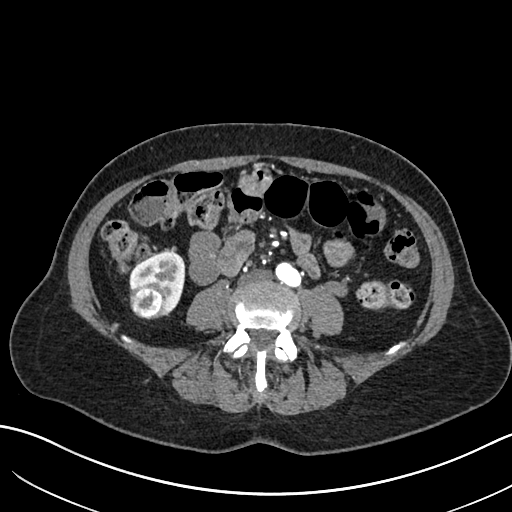
Axial slice 270 of 683 of a contrast-enhanced abdominal CT in the arterial phase (slice 1 is the lowest), 120 kVp, kernel I30f; 1.00 mm slice thickness and 0.738 mm pixels.
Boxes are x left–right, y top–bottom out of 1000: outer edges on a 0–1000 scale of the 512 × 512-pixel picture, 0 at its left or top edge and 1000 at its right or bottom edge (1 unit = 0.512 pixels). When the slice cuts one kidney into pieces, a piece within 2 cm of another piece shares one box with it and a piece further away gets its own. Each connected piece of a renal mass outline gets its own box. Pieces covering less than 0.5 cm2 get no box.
One kidney box and one renal mass box on this slice; by box centre, from the image's left to its right: (1) Box x 252–324, y 551–625 out of 1000: right renal mass (outlined area 1,118 px, about 6.1 cm2). (2) Box x 252–363, y 490–619 out of 1000: right kidney (outlined area 1,960 px, about 10.7 cm2).